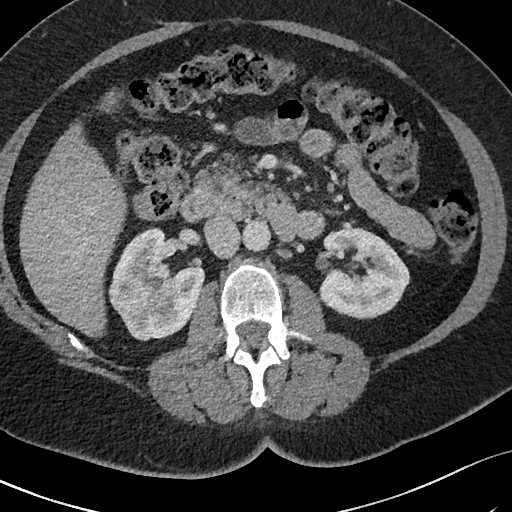
One axial slice (41 of 69, counting up from the lowest) of an arterial-phase abdominal CT acquired with 120 kVp, kernel I40f; each pixel is 0.664 mm and the slice is 3.00 mm thick.
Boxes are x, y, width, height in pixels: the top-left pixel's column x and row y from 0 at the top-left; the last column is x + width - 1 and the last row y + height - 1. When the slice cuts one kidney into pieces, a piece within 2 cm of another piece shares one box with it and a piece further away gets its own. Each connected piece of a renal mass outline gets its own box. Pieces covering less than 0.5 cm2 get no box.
Three boxes on this slice (two kidney boxes and one renal mass box), listed by box centre from the image's left to its right. (1) Right renal mass at x 108, y 275, width 41, height 37 (outlined area 1,240 px, about 5.5 cm2). (2) Right kidney, box x 112, y 227, width 93, height 114 (outlined area 6,246 px, about 27.5 cm2). (3) Left kidney, box x 317, y 223, width 94, height 97 (outlined area 6,300 px, about 27.8 cm2).